Abdominal CT with intravenous contrast, arterial phase, axial plane, 120 kVp, kernel B30f. Slice 400/512 from the bottom of the scan; thickness 1.00 mm; pixel size 0.771 mm.
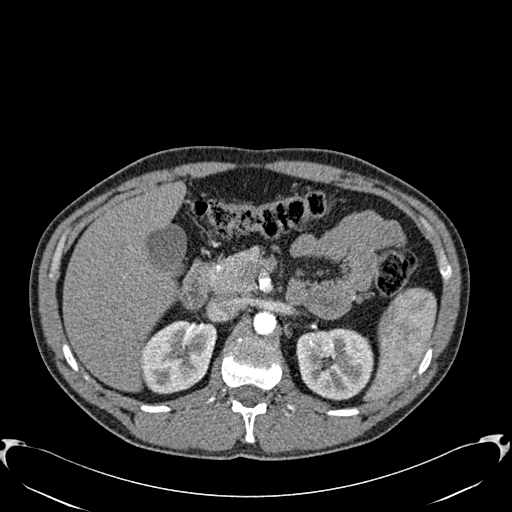
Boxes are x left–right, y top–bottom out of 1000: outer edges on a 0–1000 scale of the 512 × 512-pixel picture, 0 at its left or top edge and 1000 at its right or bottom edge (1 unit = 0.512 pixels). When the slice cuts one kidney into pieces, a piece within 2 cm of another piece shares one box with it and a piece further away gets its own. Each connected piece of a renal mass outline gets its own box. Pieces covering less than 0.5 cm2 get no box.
Boxed on this slice (two kidney boxes), listed by box centre from the image's left to its right: (1) Right kidney at x 275–426, y 625–771 out of 1000 (outlined area 4,305 px, about 25.6 cm2). (2) Box x 578–730, y 641–783 out of 1000: left kidney (outlined area 4,555 px, about 27.1 cm2). This slice carries no renal mass outline.